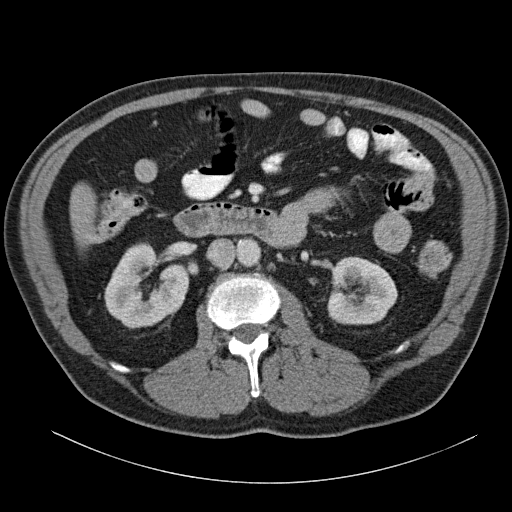
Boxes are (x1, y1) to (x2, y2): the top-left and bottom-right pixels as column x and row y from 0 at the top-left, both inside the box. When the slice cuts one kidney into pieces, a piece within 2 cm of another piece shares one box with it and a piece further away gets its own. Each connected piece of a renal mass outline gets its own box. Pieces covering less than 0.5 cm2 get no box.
This is axial slice 69 of 140 (slice 1 is the lowest) of an arterial-phase abdominal CT with contrast; each pixel is 0.754 mm and the slice is 5.00 mm thick. Two boxes on this slice (two kidney boxes), listed by box centre from the image's left to its right. (1) Right kidney, box (104, 241) to (189, 328) (outlined area 4,958 px, about 28.2 cm2). (2) Left kidney from (327, 256) to (397, 325) (outlined area 3,833 px, about 21.8 cm2). No renal mass outline on this slice.
Tube voltage 120 kVp; convolution kernel B31f.